One axial slice (327 of 439, counting up from the lowest) of a contrast-enhanced abdominal CT acquired with 100 kVp, kernel I40f; each pixel is 0.850 mm and the slice is 2.00 mm thick.
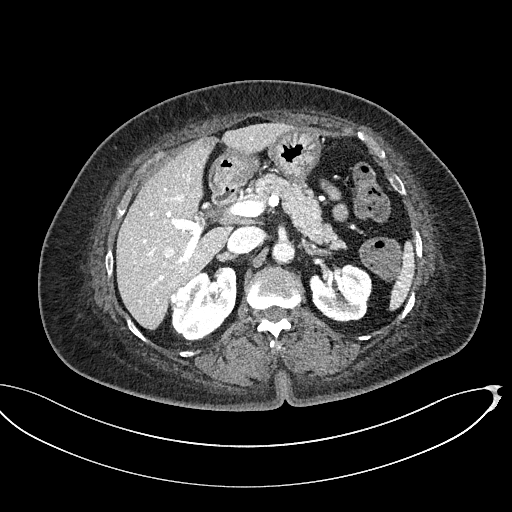
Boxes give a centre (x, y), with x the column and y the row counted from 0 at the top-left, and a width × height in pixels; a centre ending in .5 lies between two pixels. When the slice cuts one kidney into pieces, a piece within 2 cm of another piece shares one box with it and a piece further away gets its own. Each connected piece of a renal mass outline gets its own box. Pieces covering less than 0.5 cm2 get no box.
Boxed on this slice (two kidney boxes and one renal mass box), listed by box centre from the image's left to its right: (1) Right renal mass, box centre (179.5, 296), 22 × 23 pixels (outlined area 339 px, about 2.4 cm2). (2) Box centre (203.5, 303.5), 66 × 76 pixels: right kidney (outlined area 3,304 px, about 23.8 cm2). (3) Box centre (340.5, 293), 64 × 59 pixels: left kidney (outlined area 2,847 px, about 20.6 cm2).